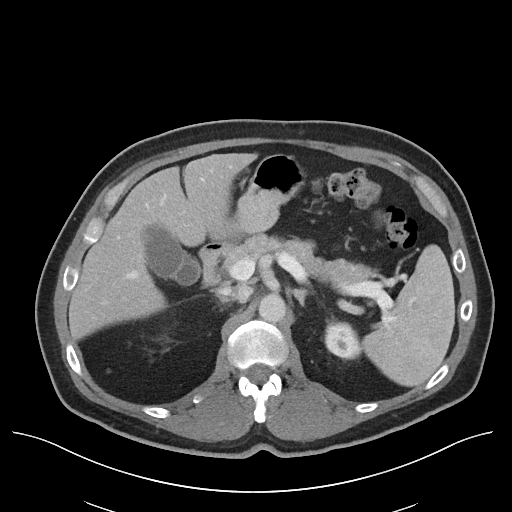
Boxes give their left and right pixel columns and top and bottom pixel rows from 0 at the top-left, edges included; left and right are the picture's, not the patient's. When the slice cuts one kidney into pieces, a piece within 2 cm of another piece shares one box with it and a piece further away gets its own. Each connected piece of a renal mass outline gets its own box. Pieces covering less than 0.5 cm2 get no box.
This is axial slice 75 of 96 (slice 1 is the lowest) of an arterial-phase abdominal CT with contrast; each pixel is 0.840 mm and the slice is 5.00 mm thick. Left kidney in the box with left 324, top 320, right 362, bottom 359 (outlined area 1,126 px, about 7.9 cm2). No renal mass outline on this slice.
Tube voltage 120 kVp; convolution kernel I40f.